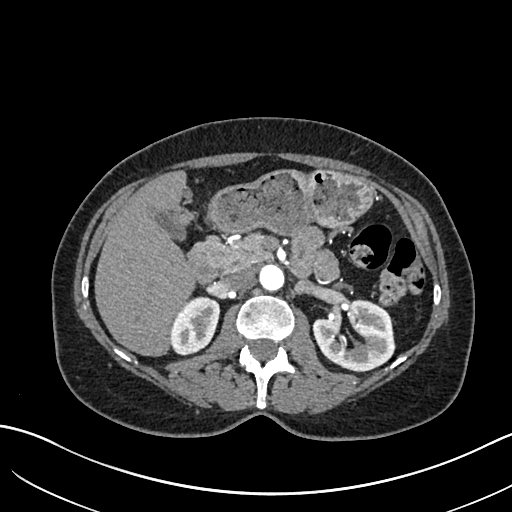
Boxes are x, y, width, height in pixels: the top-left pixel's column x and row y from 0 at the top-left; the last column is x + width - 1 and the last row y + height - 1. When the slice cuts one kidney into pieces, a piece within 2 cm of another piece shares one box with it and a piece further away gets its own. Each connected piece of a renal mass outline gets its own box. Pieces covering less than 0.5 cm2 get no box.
Slice 401/683 of a contrast-enhanced abdominal CT in the arterial phase, counting up from the lowest; pixel size 0.738 mm, slice thickness 1.00 mm. Two boxes on this slice (two kidney boxes), listed by box centre from the image's left to its right. (1) Right kidney, box x 171, y 296, width 50, height 60 (outlined area 2,116 px, about 11.5 cm2). (2) Box x 312, y 299, width 84, height 72: left kidney (outlined area 4,286 px, about 23.4 cm2). This slice carries no renal mass outline.
Scan settings: 120 kVp, I30f reconstruction kernel.